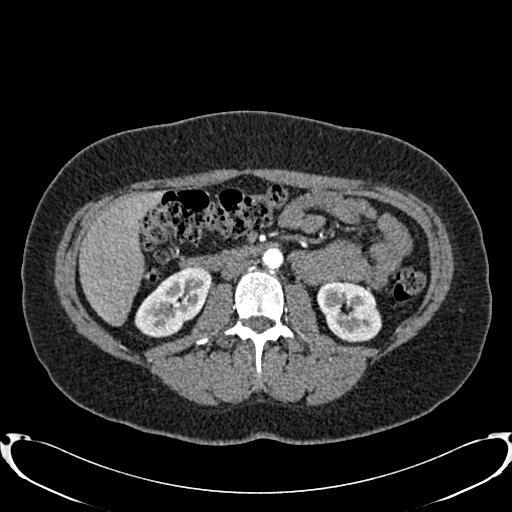
Arterial-phase contrast-enhanced abdominal CT, axial slice 425 of 719 (counted from the lowest slice); tube voltage 120 kVp, convolution kernel B20f; slices 1.00 mm thick, 0.766 mm per pixel.
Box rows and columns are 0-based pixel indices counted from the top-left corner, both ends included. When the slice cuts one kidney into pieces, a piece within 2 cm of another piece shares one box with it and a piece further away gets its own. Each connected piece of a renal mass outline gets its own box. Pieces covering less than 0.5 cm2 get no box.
Boxed on this slice (two kidney boxes), listed by box centre from the image's left to its right: (1) Right kidney at rows 266–337, columns 134–211 (outlined area 3,532 px, about 20.7 cm2). (2) Box rows 280–342, columns 317–381: left kidney (outlined area 3,046 px, about 17.9 cm2). No renal mass outline on this slice.